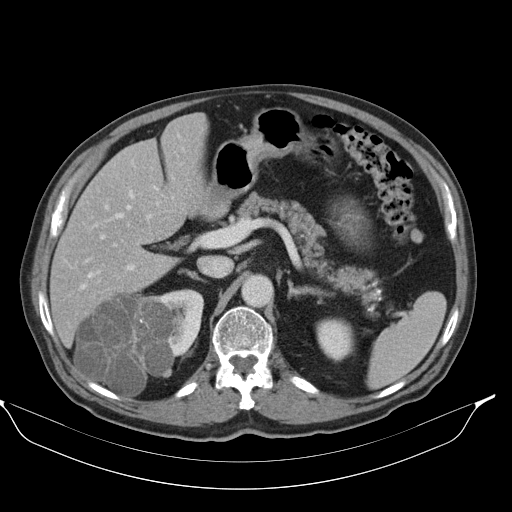
Contrast-enhanced abdominal CT, axial slice 67 of 98 (counted from the lowest slice); tube voltage 130 kVp, convolution kernel B30s; slices 5.00 mm thick, 0.840 mm per pixel.
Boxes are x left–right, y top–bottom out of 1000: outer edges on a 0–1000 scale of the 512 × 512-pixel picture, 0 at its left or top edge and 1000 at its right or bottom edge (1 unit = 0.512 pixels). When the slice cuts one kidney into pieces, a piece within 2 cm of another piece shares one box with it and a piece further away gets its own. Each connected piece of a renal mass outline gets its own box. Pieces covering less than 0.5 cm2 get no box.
Boxed on this slice (two kidney boxes and one renal mass box), listed by box centre from the image's left to its right: (1) Right renal mass at x 143–344, y 572–777 out of 1000 (outlined area 8,063 px, about 56.9 cm2). (2) Box x 293–400, y 563–697 out of 1000: right kidney (outlined area 1,865 px, about 13.2 cm2). (3) Left kidney, box x 617–693, y 619–707 out of 1000 (outlined area 1,371 px, about 9.7 cm2).